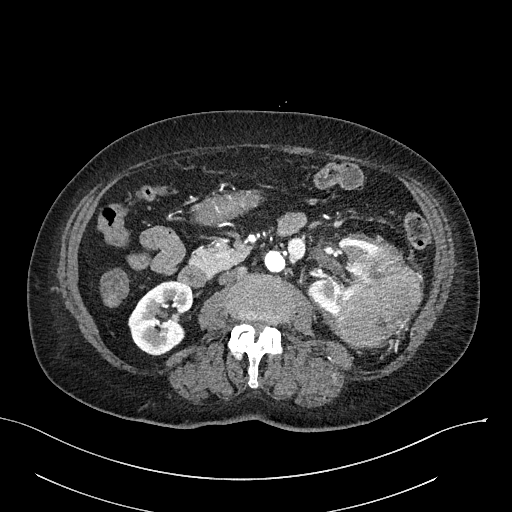
Axial slice 117 of 316 of a contrast-enhanced abdominal CT in the arterial phase (slice 1 is the lowest), 100 kVp, kernel I40f; 2.00 mm slice thickness and 0.840 mm pixels.
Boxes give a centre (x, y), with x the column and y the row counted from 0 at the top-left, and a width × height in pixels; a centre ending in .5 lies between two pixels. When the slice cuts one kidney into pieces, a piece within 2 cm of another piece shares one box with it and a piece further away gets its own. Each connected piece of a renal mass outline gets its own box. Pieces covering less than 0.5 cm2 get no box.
Two kidney boxes and one renal mass box on this slice; by box centre, from the image's left to its right: (1) Right kidney, box centre (160.5, 317.5), 66 × 76 pixels (outlined area 3,457 px, about 24.4 cm2). (2) Left kidney in a box with centre (342.5, 277), 72 × 77 pixels (outlined area 2,491 px, about 17.6 cm2). (3) Box centre (379, 296), 87 × 105 pixels: left renal mass (outlined area 6,087 px, about 42.9 cm2).